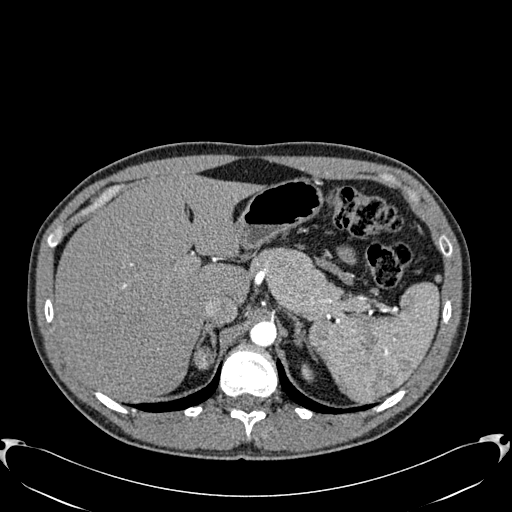
Arterial-phase contrast-enhanced abdominal CT, axial slice 461 of 512 (counted from the lowest slice); tube voltage 120 kVp, convolution kernel B30f; slices 1.00 mm thick, 0.771 mm per pixel.
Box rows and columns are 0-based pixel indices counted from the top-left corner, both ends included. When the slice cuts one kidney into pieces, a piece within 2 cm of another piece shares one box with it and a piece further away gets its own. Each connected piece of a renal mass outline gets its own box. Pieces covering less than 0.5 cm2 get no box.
Boxed on this slice (one kidney box and one renal mass box), listed by box centre from the image's left to its right: (1) Box rows 346–369, columns 193–215: right renal mass (outlined area 421 px, about 2.5 cm2); it sits over 1 cm from every kidney outline on this slice, but the same outlined renal mass comes within 1 cm of the kidney on another slice. (2) Left kidney at rows 364–382, columns 301–313 (outlined area 170 px, about 1.0 cm2).